Abdominal CT with intravenous contrast, arterial phase, axial plane, 100 kVp, kernel SOFT. Slice 186/383 from the bottom of the scan; thickness 1.25 mm; pixel size 0.898 mm.
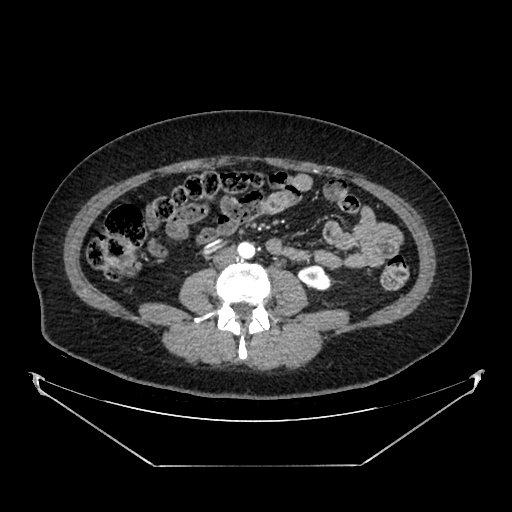
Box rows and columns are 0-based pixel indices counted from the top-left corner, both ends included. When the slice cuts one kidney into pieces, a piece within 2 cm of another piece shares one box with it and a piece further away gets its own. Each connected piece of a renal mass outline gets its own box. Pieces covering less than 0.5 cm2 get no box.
Left kidney, box rows 264–289, columns 297–331 (outlined area 638 px, about 5.1 cm2). This slice carries no renal mass outline.